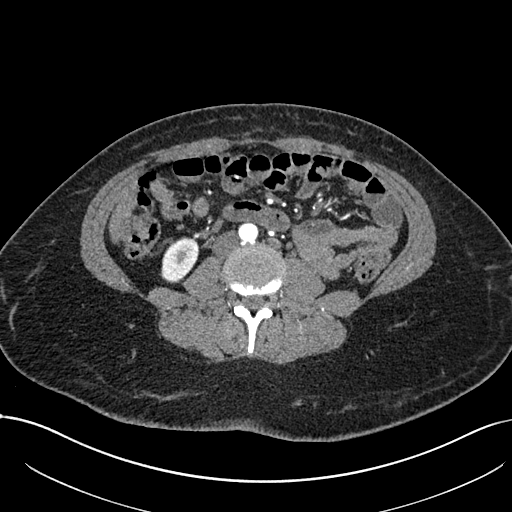
Arterial-phase contrast-enhanced abdominal CT, axial slice 316 of 738 (counted from the lowest slice); tube voltage 120 kVp, convolution kernel I30f; slices 1.00 mm thick, 0.789 mm per pixel.
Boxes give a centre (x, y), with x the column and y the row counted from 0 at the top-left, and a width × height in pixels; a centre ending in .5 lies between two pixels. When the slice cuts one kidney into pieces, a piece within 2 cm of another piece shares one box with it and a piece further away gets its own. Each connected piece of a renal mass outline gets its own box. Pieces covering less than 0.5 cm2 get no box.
Box centre (179.5, 260), 40 × 47 pixels: right kidney (outlined area 1,299 px, about 8.1 cm2). No renal mass is outlined on this slice.